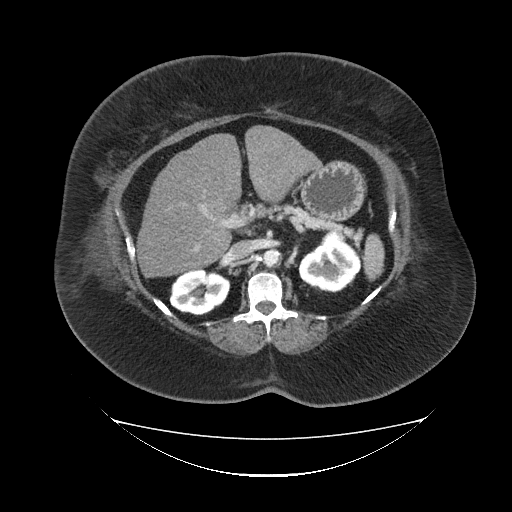
Arterial-phase contrast-enhanced abdominal CT, axial slice 63 of 85 (counted from the lowest slice); tube voltage 120 kVp, convolution kernel FC19; slices 5.00 mm thick, 1.041 mm per pixel.
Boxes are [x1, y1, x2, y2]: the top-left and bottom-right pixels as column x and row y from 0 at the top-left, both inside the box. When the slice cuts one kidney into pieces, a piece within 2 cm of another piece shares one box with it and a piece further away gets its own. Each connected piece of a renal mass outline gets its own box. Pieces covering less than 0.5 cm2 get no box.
Two kidney boxes on this slice; by box centre, from the image's left to its right: (1) Right kidney, box [169, 269, 230, 315] (outlined area 2,166 px, about 23.5 cm2). (2) Left kidney, box [298, 229, 362, 292] (outlined area 2,730 px, about 29.6 cm2). No renal mass is outlined on this slice.